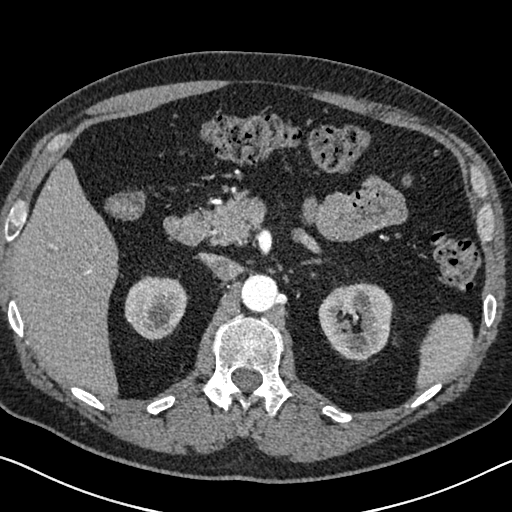
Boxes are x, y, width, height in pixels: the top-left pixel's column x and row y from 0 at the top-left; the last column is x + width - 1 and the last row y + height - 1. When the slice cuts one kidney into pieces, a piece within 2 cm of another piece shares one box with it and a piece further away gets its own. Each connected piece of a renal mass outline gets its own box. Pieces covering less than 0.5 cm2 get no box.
Slice 457/626 of a contrast-enhanced abdominal CT in the arterial phase, counting up from the lowest; pixel size 0.703 mm, slice thickness 1.00 mm. Two boxes on this slice (two kidney boxes), listed by box centre from the image's left to its right. (1) Right kidney at x 124, y 275, width 63, height 65 (outlined area 3,117 px, about 15.4 cm2). (2) Left kidney, box x 318, y 282, width 76, height 80 (outlined area 4,451 px, about 22.0 cm2). No renal mass is outlined on this slice.
Scan settings: 120 kVp, I30f reconstruction kernel.